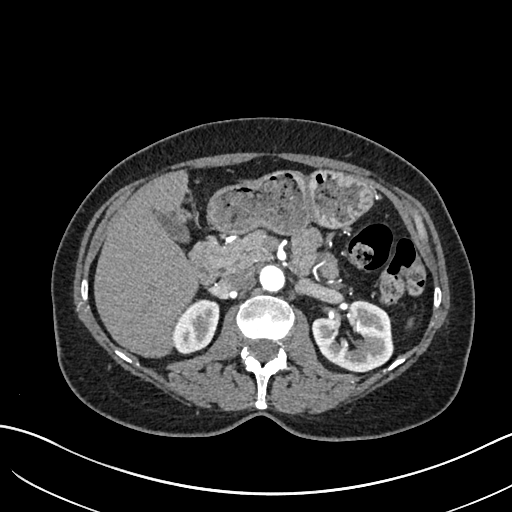
One axial slice (404 of 683, counting up from the lowest) of an arterial-phase abdominal CT acquired with 120 kVp, kernel I30f; each pixel is 0.738 mm and the slice is 1.00 mm thick.
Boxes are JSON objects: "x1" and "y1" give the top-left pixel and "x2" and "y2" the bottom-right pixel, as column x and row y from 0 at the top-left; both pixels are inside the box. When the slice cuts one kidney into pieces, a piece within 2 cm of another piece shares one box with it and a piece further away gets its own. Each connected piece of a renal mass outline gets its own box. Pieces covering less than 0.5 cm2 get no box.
Boxed on this slice (two kidney boxes), listed by box centre from the image's left to its right: (1) Right kidney, box {"x1": 174, "y1": 299, "x2": 219, "y2": 354} (outlined area 1,867 px, about 10.2 cm2). (2) Box {"x1": 311, "y1": 299, "x2": 393, "y2": 369}: left kidney (outlined area 4,115 px, about 22.4 cm2). No renal mass is outlined on this slice.